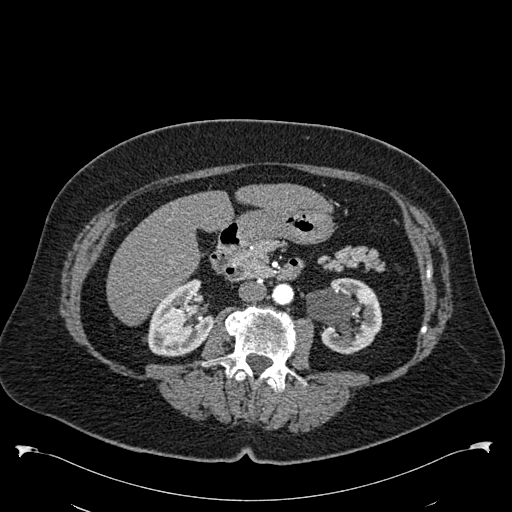
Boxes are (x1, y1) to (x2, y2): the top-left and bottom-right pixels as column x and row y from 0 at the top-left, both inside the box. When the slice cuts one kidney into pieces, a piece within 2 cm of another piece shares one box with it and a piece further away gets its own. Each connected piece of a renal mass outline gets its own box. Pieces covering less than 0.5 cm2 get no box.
This is axial slice 307 of 538 (slice 1 is the lowest) of an arterial-phase abdominal CT with contrast; each pixel is 0.811 mm and the slice is 1.00 mm thick. Boxed on this slice (two kidney boxes), listed by box centre from the image's left to its right: (1) Right kidney from (146, 279) to (213, 356) (outlined area 3,683 px, about 24.2 cm2). (2) Box (304, 277) to (382, 353): left kidney (outlined area 4,141 px, about 27.2 cm2). No renal mass outline on this slice.
Tube voltage 120 kVp; convolution kernel B30f.